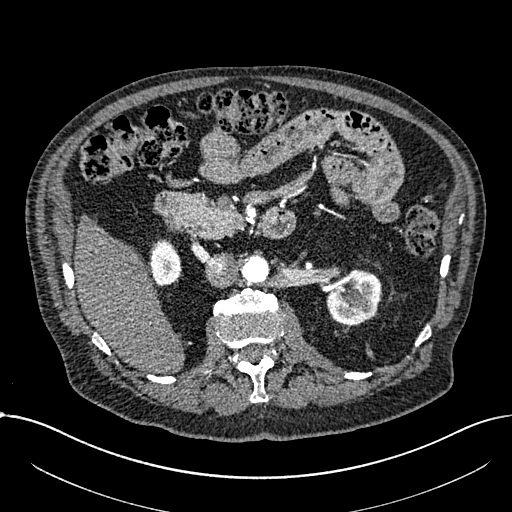
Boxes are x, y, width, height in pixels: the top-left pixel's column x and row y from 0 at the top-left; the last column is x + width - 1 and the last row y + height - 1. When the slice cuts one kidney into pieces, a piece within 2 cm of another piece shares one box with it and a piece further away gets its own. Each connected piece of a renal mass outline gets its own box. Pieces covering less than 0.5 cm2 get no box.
Slice 421/1059 of a contrast-enhanced abdominal CT in the arterial phase, counting up from the lowest; pixel size 0.811 mm, slice thickness 1.00 mm. Two boxes on this slice (two kidney boxes), listed by box centre from the image's left to its right. (1) Right part of the midline-crossing kidney at x 150, y 239, width 32, height 48 (outlined area 1,189 px, about 7.8 cm2). (2) Box x 326, y 269, width 55, height 57: left part of the midline-crossing kidney (outlined area 2,353 px, about 15.5 cm2). No renal mass is outlined on this slice.
Acquired at 100 kVp and reconstructed with the I30f kernel.